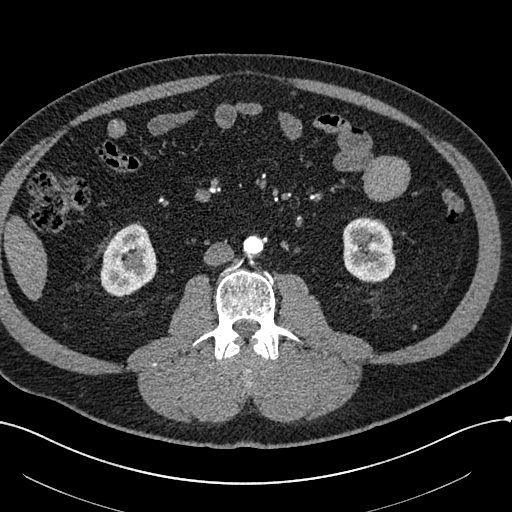
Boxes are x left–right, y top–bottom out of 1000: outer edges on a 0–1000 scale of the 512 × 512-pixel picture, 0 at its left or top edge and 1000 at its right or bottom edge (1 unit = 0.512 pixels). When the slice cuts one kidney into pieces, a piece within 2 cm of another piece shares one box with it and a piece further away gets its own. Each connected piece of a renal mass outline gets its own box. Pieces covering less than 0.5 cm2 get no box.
Slice 242/602 of a contrast-enhanced abdominal CT in the arterial phase, counting up from the lowest; pixel size 0.799 mm, slice thickness 1.00 mm. Two kidney boxes and one renal mass box on this slice; by box centre, from the image's left to its right: (1) Right renal mass, box x 207–232, y 506–531 out of 1000 (outlined area 129 px, about 0.8 cm2). (2) Box x 195–309, y 434–582 out of 1000: right kidney (outlined area 3,032 px, about 19.3 cm2). (3) Left kidney, box x 668–773, y 424–555 out of 1000 (outlined area 2,904 px, about 18.5 cm2).
Acquired at 120 kVp and reconstructed with the I30f kernel.